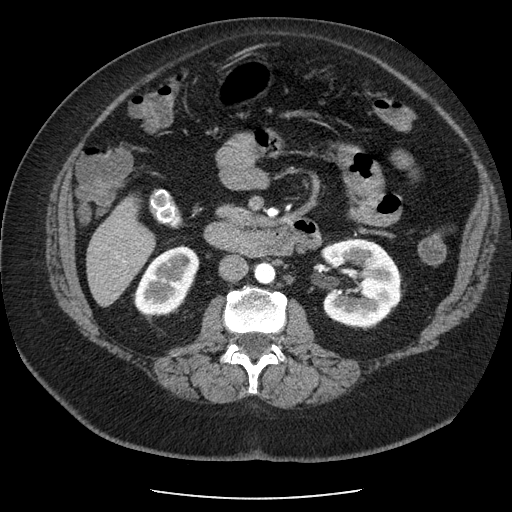
One axial slice (117 of 186, counting up from the lowest) of an arterial-phase abdominal CT acquired with 120 kVp, kernel STANDARD; each pixel is 0.742 mm and the slice is 2.50 mm thick.
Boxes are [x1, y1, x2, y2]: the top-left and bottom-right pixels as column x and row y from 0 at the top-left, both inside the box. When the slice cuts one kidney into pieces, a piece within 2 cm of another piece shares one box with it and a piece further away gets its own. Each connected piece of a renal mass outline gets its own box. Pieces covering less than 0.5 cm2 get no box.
Two boxes on this slice (two kidney boxes), listed by box centre from the image's left to its right. (1) Box [133, 245, 199, 316]: right kidney (outlined area 3,248 px, about 17.9 cm2). (2) Left kidney at [320, 238, 403, 328] (outlined area 5,776 px, about 31.8 cm2). No renal mass is outlined on this slice.